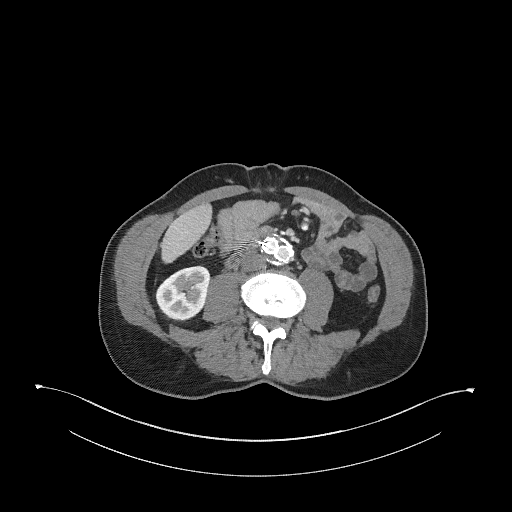
Axial slice 130 of 345 of a contrast-enhanced abdominal CT in the arterial phase (slice 1 is the lowest), 120 kVp, kernel I31f; 2.00 mm slice thickness and 0.977 mm pixels.
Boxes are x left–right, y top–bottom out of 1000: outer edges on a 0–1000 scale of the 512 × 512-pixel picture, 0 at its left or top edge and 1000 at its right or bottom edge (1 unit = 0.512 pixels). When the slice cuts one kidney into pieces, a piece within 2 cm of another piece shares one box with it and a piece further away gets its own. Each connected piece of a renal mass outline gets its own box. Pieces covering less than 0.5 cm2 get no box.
Box x 303–412, y 518–629 out of 1000: right kidney (outlined area 2,274 px, about 21.7 cm2). No renal mass outline on this slice.